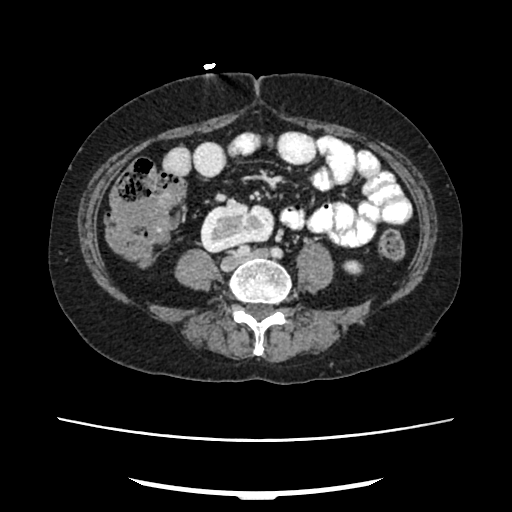
Abdominal CT with intravenous contrast, arterial phase, axial plane, 120 kVp, kernel FC18. Slice 99/207 from the bottom of the scan; thickness 2.00 mm; pixel size 0.741 mm.
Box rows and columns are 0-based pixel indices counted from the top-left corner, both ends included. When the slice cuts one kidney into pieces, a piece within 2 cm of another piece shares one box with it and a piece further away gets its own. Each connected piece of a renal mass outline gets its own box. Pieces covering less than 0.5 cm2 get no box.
Two kidney boxes on this slice; by box centre, from the image's left to its right: (1) Right kidney, box rows 204–252, columns 200–274 (outlined area 2,760 px, about 15.2 cm2). (2) Left kidney, box rows 260–273, columns 346–362 (outlined area 195 px, about 1.1 cm2). No renal mass outline on this slice.